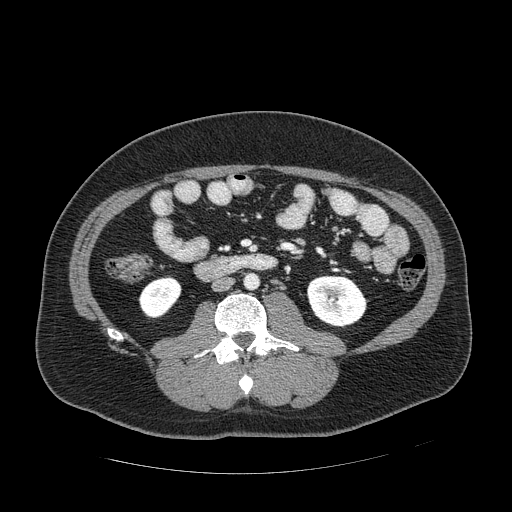
Axial slice 228 of 389 of a contrast-enhanced abdominal CT in the arterial phase (slice 1 is the lowest), 120 kVp, kernel STANDARD; 1.25 mm slice thickness and 0.869 mm pixels.
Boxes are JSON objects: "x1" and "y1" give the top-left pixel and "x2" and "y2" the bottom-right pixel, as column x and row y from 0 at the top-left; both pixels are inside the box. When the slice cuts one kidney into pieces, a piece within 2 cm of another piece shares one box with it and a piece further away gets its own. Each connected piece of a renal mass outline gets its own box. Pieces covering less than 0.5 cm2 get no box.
Two boxes on this slice (two kidney boxes), listed by box centre from the image's left to its right. (1) Box {"x1": 138, "y1": 276, "x2": 181, "y2": 318}: right kidney (outlined area 1,331 px, about 10.1 cm2). (2) Left kidney, box {"x1": 307, "y1": 275, "x2": 367, "y2": 327} (outlined area 2,457 px, about 18.6 cm2). No renal mass is outlined on this slice.